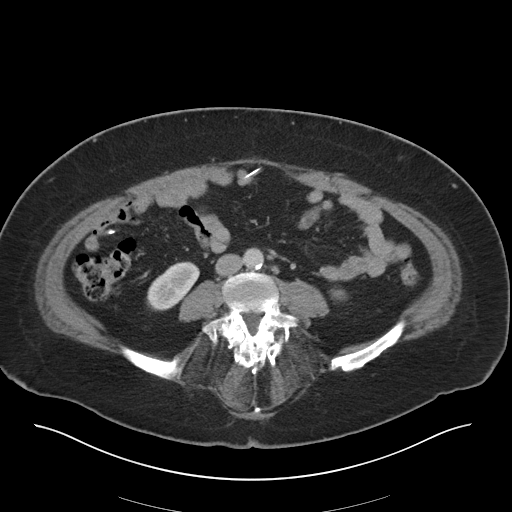
One axial slice (4 of 36, counting up from the lowest) of an arterial-phase abdominal CT acquired with 140 kVp, kernel I30f; each pixel is 0.906 mm and the slice is 5.00 mm thick.
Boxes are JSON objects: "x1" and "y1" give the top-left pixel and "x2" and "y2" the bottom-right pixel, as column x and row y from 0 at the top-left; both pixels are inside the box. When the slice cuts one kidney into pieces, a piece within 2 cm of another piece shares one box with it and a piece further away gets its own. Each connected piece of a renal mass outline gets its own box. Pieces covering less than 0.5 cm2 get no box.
Two kidney boxes on this slice; by box centre, from the image's left to its right: (1) Box {"x1": 146, "y1": 261, "x2": 199, "y2": 311}: right kidney (outlined area 1,730 px, about 14.2 cm2). (2) Left kidney, box {"x1": 330, "y1": 289, "x2": 346, "y2": 300} (outlined area 165 px, about 1.4 cm2). No renal mass is outlined on this slice.